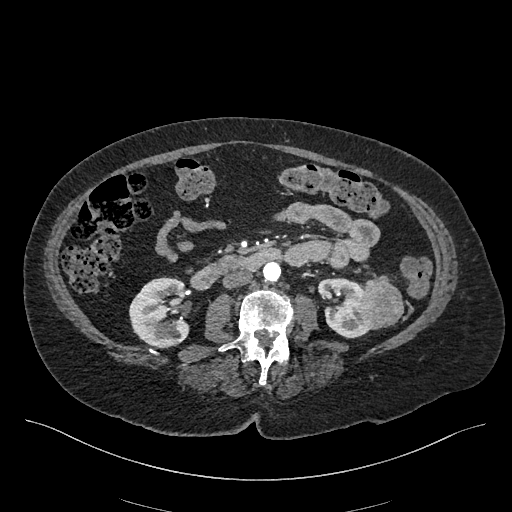
Abdominal CT with intravenous contrast, arterial phase, axial plane, 120 kVp, kernel I26f. Slice 218/548 from the bottom of the scan; thickness 1.00 mm; pixel size 0.852 mm.
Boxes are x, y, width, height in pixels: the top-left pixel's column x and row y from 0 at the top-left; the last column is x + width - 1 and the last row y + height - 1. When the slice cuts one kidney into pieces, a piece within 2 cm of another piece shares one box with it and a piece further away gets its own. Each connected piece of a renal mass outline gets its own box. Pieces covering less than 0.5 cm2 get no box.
Boxed on this slice (two kidney boxes and one renal mass box), listed by box centre from the image's left to its right: (1) Right kidney at x 129, y 277, width 61, height 72 (outlined area 3,374 px, about 24.5 cm2). (2) Box x 316, y 277, width 54, height 62: left kidney (outlined area 2,115 px, about 15.3 cm2). (3) Left renal mass, box x 357, y 275, width 47, height 55 (outlined area 1,918 px, about 13.9 cm2).